Abdominal CT with intravenous contrast, axial plane, 120 kVp, kernel B41f. Slice 70/145 from the bottom of the scan; thickness 5.00 mm; pixel size 0.859 mm.
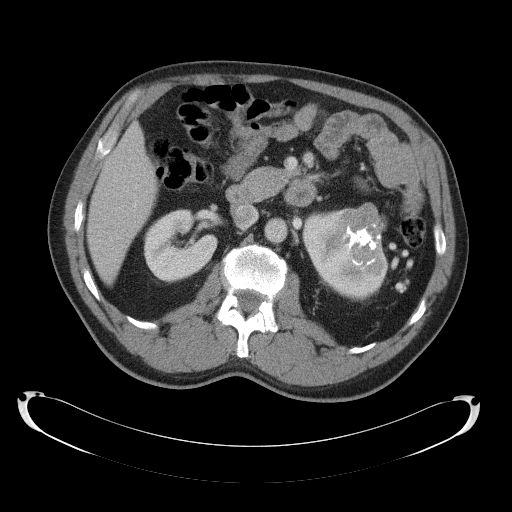
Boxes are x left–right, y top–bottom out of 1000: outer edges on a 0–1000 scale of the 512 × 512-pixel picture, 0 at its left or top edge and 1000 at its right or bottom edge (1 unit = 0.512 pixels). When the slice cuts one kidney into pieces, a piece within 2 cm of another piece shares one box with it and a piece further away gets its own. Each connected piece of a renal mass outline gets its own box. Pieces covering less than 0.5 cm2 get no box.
Boxed on this slice (two kidney boxes and one renal mass box), listed by box centre from the image's left to its right: (1) Right kidney at x 279–426, y 408–553 out of 1000 (outlined area 3,965 px, about 29.3 cm2). (2) Box x 590–760, y 404–588 out of 1000: left kidney (outlined area 3,668 px, about 27.1 cm2). (3) Box x 648–756, y 395–529 out of 1000: left renal mass (outlined area 2,723 px, about 20.1 cm2).